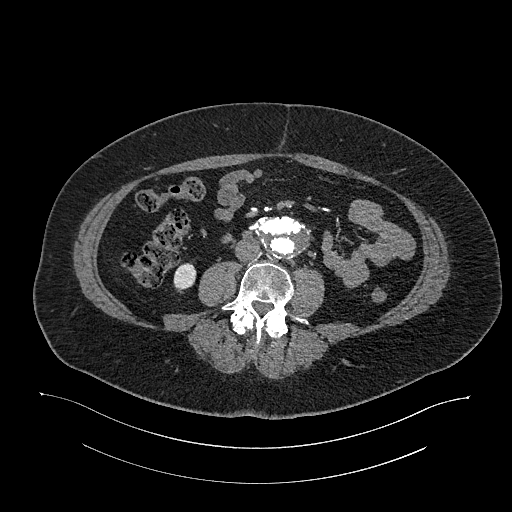
Abdominal CT with intravenous contrast, arterial phase, axial plane, 120 kVp, kernel I26f. Slice 532/987 from the bottom of the scan; thickness 1.00 mm; pixel size 0.977 mm.
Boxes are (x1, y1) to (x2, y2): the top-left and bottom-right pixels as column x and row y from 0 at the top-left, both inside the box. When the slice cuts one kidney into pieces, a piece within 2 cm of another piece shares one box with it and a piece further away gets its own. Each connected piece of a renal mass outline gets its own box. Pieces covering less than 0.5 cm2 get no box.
Right kidney from (173, 263) to (196, 293) (outlined area 522 px, about 5.0 cm2). No renal mass outline on this slice.